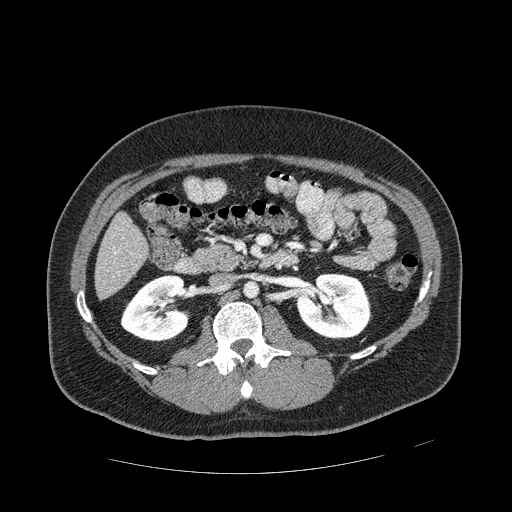
Arterial-phase contrast-enhanced abdominal CT, axial slice 254 of 389 (counted from the lowest slice); tube voltage 120 kVp, convolution kernel STANDARD; slices 1.25 mm thick, 0.869 mm per pixel.
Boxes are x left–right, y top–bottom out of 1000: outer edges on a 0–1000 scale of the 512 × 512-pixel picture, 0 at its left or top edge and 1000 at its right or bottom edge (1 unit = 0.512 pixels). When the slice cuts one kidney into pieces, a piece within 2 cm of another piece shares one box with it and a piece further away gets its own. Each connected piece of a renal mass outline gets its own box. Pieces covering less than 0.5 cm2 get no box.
Two boxes on this slice (two kidney boxes), listed by box centre from the image's left to its right. (1) Box x 234–373, y 535–668 out of 1000: right kidney (outlined area 3,442 px, about 26.0 cm2). (2) Box x 578–727, y 533–664 out of 1000: left kidney (outlined area 3,901 px, about 29.5 cm2).